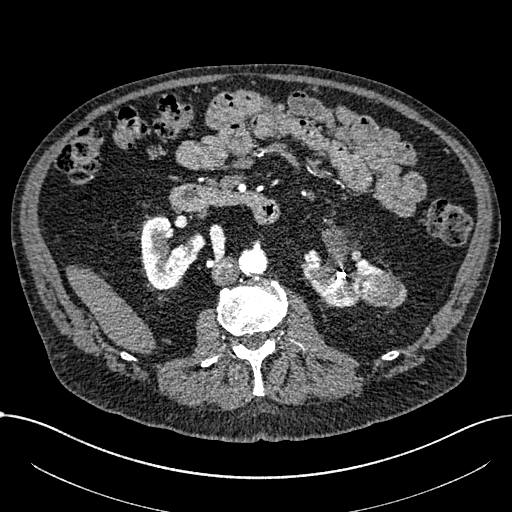
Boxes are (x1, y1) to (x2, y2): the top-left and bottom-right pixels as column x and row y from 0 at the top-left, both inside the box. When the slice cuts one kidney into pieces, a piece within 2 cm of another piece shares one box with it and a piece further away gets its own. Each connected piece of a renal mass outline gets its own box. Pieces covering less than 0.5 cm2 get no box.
Arterial-phase contrast-enhanced abdominal CT, axial slice 371 of 1059 (counted from the lowest slice); 1.00 mm thick, 0.811 mm per pixel. Boxed on this slice (two kidney boxes and one renal mass box), listed by box centre from the image's left to its right: (1) Box (141, 214) to (205, 289): right part of the midline-crossing kidney (outlined area 3,064 px, about 20.1 cm2). (2) Box (302, 249) to (386, 308): left part of the midline-crossing kidney (outlined area 2,804 px, about 18.4 cm2). (3) Renal mass, box (360, 272) to (407, 308) (outlined area 1,346 px, about 8.8 cm2).
Acquired at 100 kVp and reconstructed with the I30f kernel.